Arterial-phase contrast-enhanced abdominal CT, axial slice 52 of 234 (counted from the lowest slice); tube voltage 100 kVp, convolution kernel I40f; slices 2.00 mm thick, 0.699 mm per pixel.
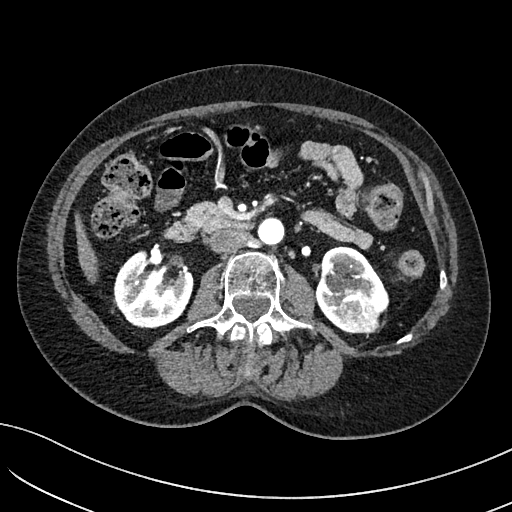
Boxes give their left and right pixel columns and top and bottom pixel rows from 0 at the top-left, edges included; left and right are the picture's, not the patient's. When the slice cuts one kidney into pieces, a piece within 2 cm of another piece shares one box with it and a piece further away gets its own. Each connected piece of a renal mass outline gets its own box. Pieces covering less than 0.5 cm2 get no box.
Three boxes on this slice (two kidney boxes and one renal mass box), listed by box centre from the image's left to its right. (1) Right kidney in the box with left 113, top 250, right 193, bottom 328 (outlined area 4,599 px, about 22.5 cm2). (2) Box with left 315, top 246, right 389, bottom 331: left kidney (outlined area 3,423 px, about 16.7 cm2). (3) Left renal mass in the box with left 336, top 295, right 382, bottom 333 (outlined area 1,391 px, about 6.8 cm2).